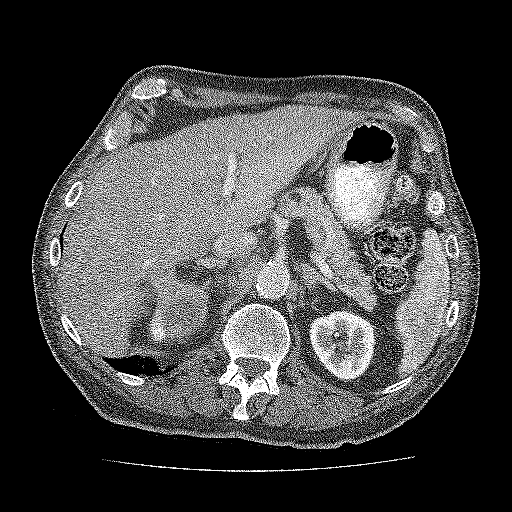
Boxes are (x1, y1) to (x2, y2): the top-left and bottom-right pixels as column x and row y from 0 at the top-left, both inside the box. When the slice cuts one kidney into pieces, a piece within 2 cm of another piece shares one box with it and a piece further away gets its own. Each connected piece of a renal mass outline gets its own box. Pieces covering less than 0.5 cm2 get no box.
This is axial slice 111 of 137 (slice 1 is the lowest) of an abdominal CT with contrast; each pixel is 0.741 mm and the slice is 3.00 mm thick. Three boxes on this slice (two kidney boxes and one renal mass box), listed by box centre from the image's left to its right. (1) Kidney, box (148, 303) to (164, 343) (outlined area 390 px, about 2.1 cm2). (2) Box (147, 265) to (212, 341): renal mass (outlined area 3,221 px, about 17.7 cm2). (3) Kidney, box (309, 309) to (376, 381) (outlined area 3,696 px, about 20.3 cm2).
Acquired at 120 kVp and reconstructed with the FC52 kernel.